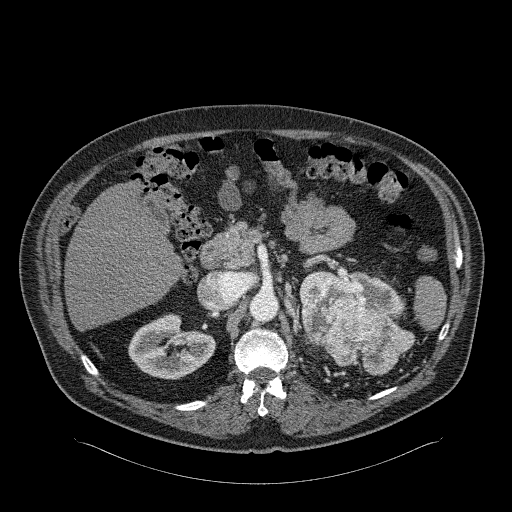
Axial slice 160 of 326 of a contrast-enhanced abdominal CT in the arterial phase (slice 1 is the lowest), 120 kVp, kernel B31f; 2.00 mm slice thickness and 0.963 mm pixels.
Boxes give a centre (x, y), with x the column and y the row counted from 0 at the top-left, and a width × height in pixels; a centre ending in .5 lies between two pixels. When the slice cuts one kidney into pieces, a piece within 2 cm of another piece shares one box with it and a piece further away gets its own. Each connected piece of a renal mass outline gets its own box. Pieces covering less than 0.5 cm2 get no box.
Two kidney boxes and one renal mass box on this slice; by box centre, from the image's left to its right: (1) Box centre (172, 346), 89 × 67 pixels: right kidney (outlined area 3,881 px, about 36.0 cm2). (2) Left kidney, box centre (351, 293.5), 105 × 46 pixels (outlined area 1,698 px, about 15.7 cm2). (3) Left renal mass, box centre (358, 326.5), 115 × 98 pixels (outlined area 6,726 px, about 62.4 cm2).